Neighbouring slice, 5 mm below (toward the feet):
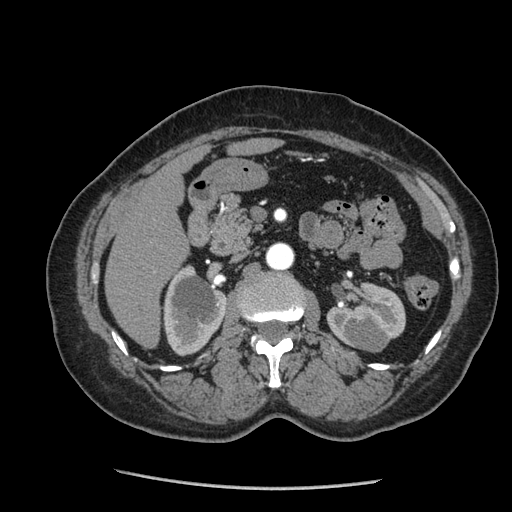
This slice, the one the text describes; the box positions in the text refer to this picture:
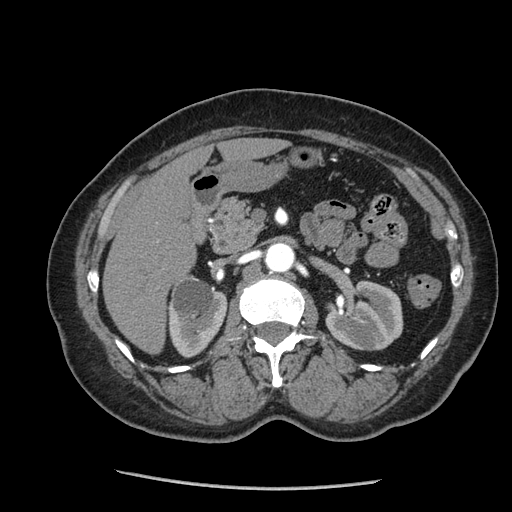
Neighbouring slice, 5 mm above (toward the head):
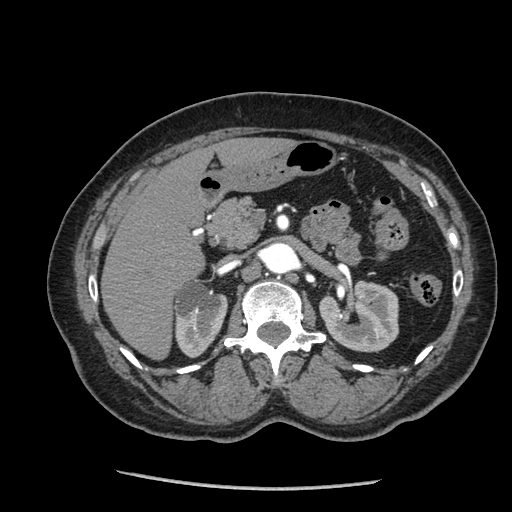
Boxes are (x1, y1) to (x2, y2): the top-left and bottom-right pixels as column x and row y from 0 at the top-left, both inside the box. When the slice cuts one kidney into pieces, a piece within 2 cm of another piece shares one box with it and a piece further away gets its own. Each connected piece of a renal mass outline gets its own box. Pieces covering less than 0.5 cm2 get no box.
Arterial-phase contrast-enhanced abdominal CT, axial slice 135 of 233 (counted from the lowest slice); 1.25 mm thick, 0.703 mm per pixel. Three boxes on this slice (two kidney boxes and one renal mass box), listed by box centre from the image's left to its right. (1) Right kidney, box (167, 277) to (228, 357) (outlined area 3,643 px, about 18.0 cm2). (2) Left kidney from (325, 280) to (403, 350) (outlined area 3,867 px, about 19.1 cm2). (3) Box (358, 336) to (376, 350): left renal mass (outlined area 251 px, about 1.2 cm2). This slice lies near the end of the left renal mass toward the head; the slices 5 mm below and 5 mm above it are shown too, and the boxes mark positions on this slice only.
Acquired at 120 kVp and reconstructed with the STANDARD kernel.